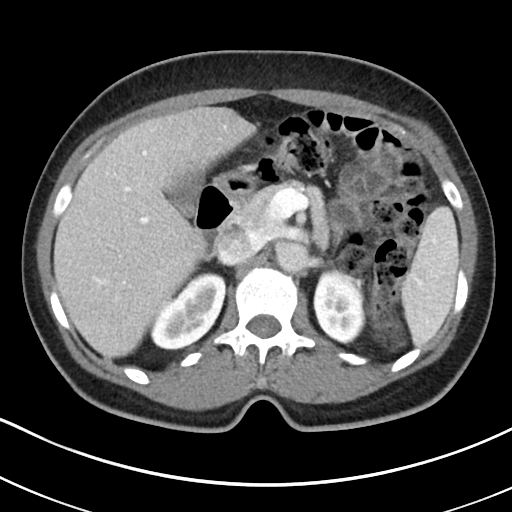
Contrast-enhanced abdominal CT, axial slice 129 of 178 (counted from the lowest slice); tube voltage 100 kVp, convolution kernel I30f; slices 5.00 mm thick, 0.650 mm per pixel.
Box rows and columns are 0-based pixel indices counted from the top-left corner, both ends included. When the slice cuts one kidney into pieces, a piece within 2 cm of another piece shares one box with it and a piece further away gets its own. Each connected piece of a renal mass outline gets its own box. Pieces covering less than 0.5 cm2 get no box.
Two boxes on this slice (two kidney boxes), listed by box centre from the image's left to its right. (1) Right kidney at rows 272–350, columns 149–225 (outlined area 3,927 px, about 16.6 cm2). (2) Left kidney, box rows 269–343, columns 313–384 (outlined area 3,417 px, about 14.5 cm2). No renal mass is outlined on this slice.